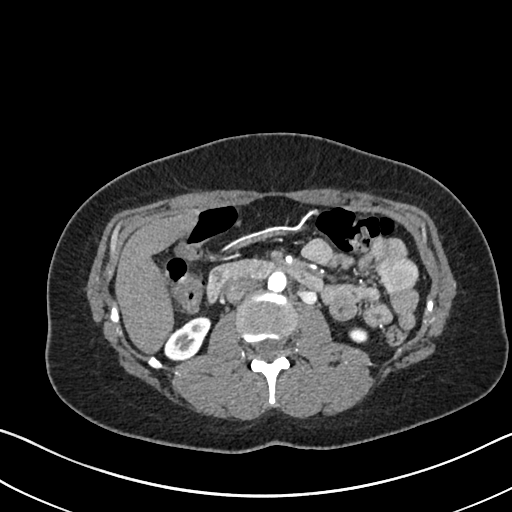
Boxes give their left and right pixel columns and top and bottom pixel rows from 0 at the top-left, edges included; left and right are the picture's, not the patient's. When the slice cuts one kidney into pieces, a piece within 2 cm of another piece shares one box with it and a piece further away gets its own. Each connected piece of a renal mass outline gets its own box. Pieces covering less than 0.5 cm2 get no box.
Arterial-phase contrast-enhanced abdominal CT, axial slice 373 of 612 (counted from the lowest slice); 1.00 mm thick, 0.703 mm per pixel. Boxed on this slice (two kidney boxes), listed by box centre from the image's left to its right: (1) Right kidney in the box with left 164, top 316, right 211, bottom 359 (outlined area 1,330 px, about 6.6 cm2). (2) Box with left 348, top 327, right 367, bottom 343: left kidney (outlined area 255 px, about 1.3 cm2). This slice carries no renal mass outline.
Acquired at 120 kVp and reconstructed with the I30f kernel.